Arterial-phase contrast-enhanced abdominal CT, axial slice 249 of 532 (counted from the lowest slice); tube voltage 120 kVp, convolution kernel B30f; slices 1.00 mm thick, 0.713 mm per pixel.
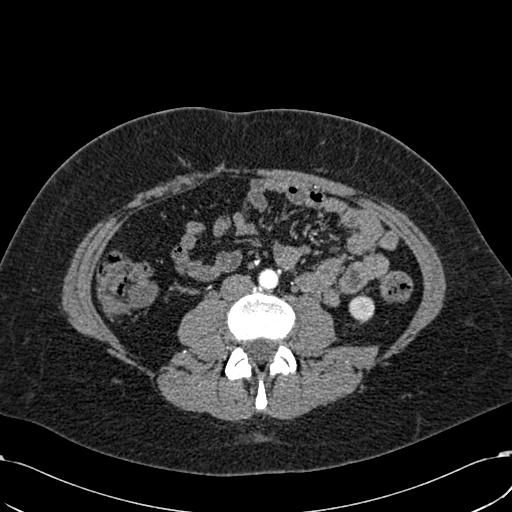
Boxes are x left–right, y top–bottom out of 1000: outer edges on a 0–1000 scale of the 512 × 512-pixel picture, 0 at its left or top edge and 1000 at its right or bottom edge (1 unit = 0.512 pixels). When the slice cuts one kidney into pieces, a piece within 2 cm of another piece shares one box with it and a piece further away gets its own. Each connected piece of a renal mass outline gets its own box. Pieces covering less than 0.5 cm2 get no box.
Left kidney, box x 680–732, y 574–631 out of 1000 (outlined area 570 px, about 2.9 cm2). No renal mass outline on this slice.